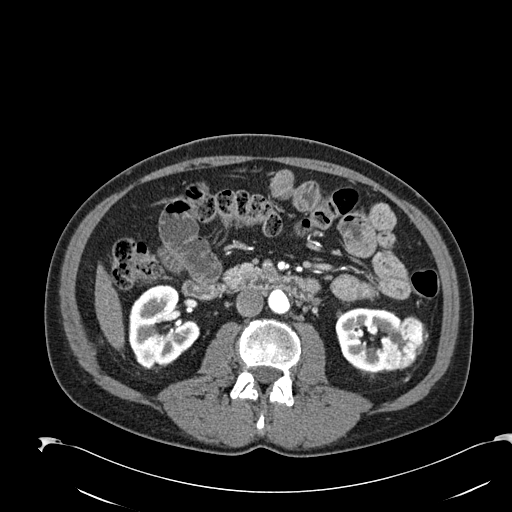
Axial slice 98 of 274 of a contrast-enhanced abdominal CT in the arterial phase (slice 1 is the lowest), 120 kVp, kernel B30f; 2.00 mm slice thickness and 0.809 mm pixels.
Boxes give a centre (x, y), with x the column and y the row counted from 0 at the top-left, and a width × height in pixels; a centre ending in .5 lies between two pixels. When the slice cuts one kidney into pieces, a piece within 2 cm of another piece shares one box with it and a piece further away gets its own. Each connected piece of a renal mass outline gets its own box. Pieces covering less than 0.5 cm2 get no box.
Three boxes on this slice (two kidney boxes and one renal mass box), listed by box centre from the image's left to its right. (1) Right kidney, box centre (163, 327), 69 × 83 pixels (outlined area 4,047 px, about 26.5 cm2). (2) Left kidney, box centre (368, 340.5), 67 × 64 pixels (outlined area 2,760 px, about 18.0 cm2). (3) Left renal mass in a box with centre (403, 343.5), 51 × 56 pixels (outlined area 1,790 px, about 11.7 cm2).